One axial slice (362 of 626, counting up from the lowest) of an arterial-phase abdominal CT acquired with 120 kVp, kernel I30f; each pixel is 0.703 mm and the slice is 1.00 mm thick.
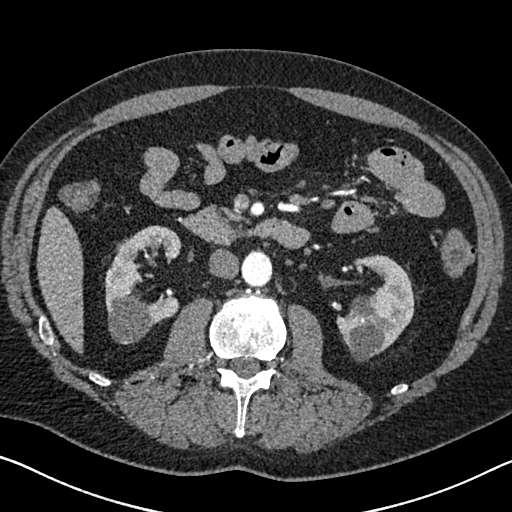
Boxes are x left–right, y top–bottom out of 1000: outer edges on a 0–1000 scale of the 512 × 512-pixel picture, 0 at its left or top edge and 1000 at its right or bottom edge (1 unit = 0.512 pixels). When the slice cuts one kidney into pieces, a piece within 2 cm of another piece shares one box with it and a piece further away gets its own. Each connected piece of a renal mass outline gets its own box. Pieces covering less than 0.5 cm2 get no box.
Two boxes on this slice (two kidney boxes), listed by box centre from the image's left to its right. (1) Box x 203–354, y 439–674 out of 1000: right kidney (outlined area 5,479 px, about 27.1 cm2). (2) Left kidney at x 654–811, y 496–707 out of 1000 (outlined area 5,099 px, about 25.2 cm2). No renal mass is outlined on this slice.